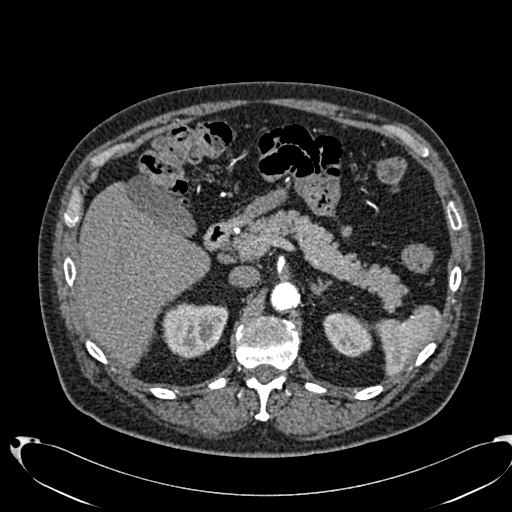
Axial slice 479 of 553 of a contrast-enhanced abdominal CT in the arterial phase (slice 1 is the lowest), 120 kVp, kernel B20f; 1.00 mm slice thickness and 0.773 mm pixels.
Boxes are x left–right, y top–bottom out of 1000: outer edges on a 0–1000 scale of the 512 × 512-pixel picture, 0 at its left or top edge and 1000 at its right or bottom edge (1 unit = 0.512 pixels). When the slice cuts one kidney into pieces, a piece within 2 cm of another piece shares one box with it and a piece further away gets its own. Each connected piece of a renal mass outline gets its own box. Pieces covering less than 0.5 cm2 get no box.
Two boxes on this slice (two kidney boxes), listed by box centre from the image's left to its right. (1) Right kidney at x 316–447, y 590–705 out of 1000 (outlined area 2,877 px, about 17.2 cm2). (2) Box x 631–729, y 607–699 out of 1000: left kidney (outlined area 1,670 px, about 10.0 cm2). This slice carries no renal mass outline.